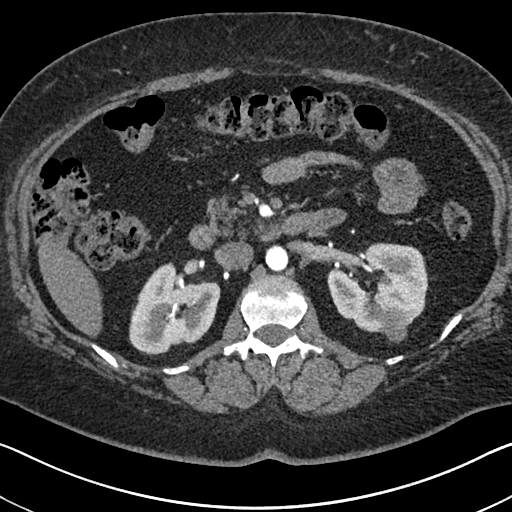
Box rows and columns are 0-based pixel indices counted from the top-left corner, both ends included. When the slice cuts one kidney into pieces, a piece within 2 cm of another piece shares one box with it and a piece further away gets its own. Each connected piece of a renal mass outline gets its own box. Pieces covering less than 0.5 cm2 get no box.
Arterial-phase contrast-enhanced abdominal CT, axial slice 418 of 591 (counted from the lowest slice); 1.00 mm thick, 0.703 mm per pixel. Two kidney boxes and one renal mass box on this slice; by box centre, from the image's left to its right: (1) Box rows 262–355, columns 129–220: right kidney (outlined area 5,878 px, about 29.1 cm2). (2) Left kidney, box rows 243–332, columns 327–428 (outlined area 6,196 px, about 30.6 cm2). (3) Box rows 306–342, columns 382–410: left renal mass (outlined area 812 px, about 4.0 cm2).
Tube voltage 140 kVp; convolution kernel I30f.